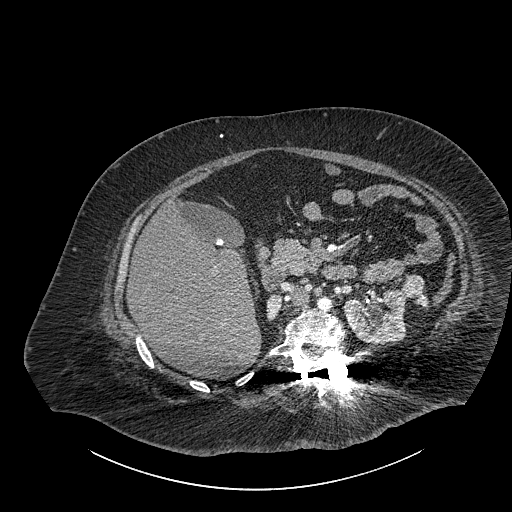
Abdominal CT with intravenous contrast, axial plane, 140 kVp, kernel I30f. Slice 570/834 from the bottom of the scan; thickness 1.00 mm; pixel size 0.977 mm.
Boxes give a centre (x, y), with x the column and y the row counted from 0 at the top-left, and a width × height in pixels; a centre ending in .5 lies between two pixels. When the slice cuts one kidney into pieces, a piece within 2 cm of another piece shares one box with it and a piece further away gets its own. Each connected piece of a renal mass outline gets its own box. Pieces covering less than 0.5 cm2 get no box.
Two kidney boxes and one renal mass box on this slice; by box centre, from the image's left to its right: (1) Right part of the midline-crossing kidney in a box with centre (273.5, 306), 16 × 27 pixels (outlined area 327 px, about 3.1 cm2). (2) Left part of the midline-crossing kidney in a box with centre (374, 316.5), 63 × 56 pixels (outlined area 2,717 px, about 25.9 cm2). (3) Renal mass in a box with centre (413.5, 290.5), 30 × 34 pixels (outlined area 621 px, about 5.9 cm2).